Contrast-enhanced abdominal CT, axial slice 396 of 834 (counted from the lowest slice); tube voltage 140 kVp, convolution kernel I30f; slices 1.00 mm thick, 0.977 mm per pixel.
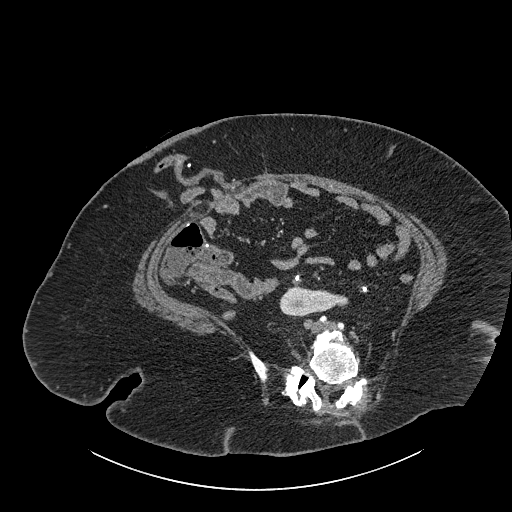
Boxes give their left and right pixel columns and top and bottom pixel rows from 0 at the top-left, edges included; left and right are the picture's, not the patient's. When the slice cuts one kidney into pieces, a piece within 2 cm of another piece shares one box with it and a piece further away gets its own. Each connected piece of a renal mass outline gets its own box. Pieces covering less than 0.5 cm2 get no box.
Box with left 280, top 286, right 348, bottom 318: right part of the midline-crossing kidney (outlined area 1,474 px, about 14.1 cm2). This slice carries no renal mass outline.